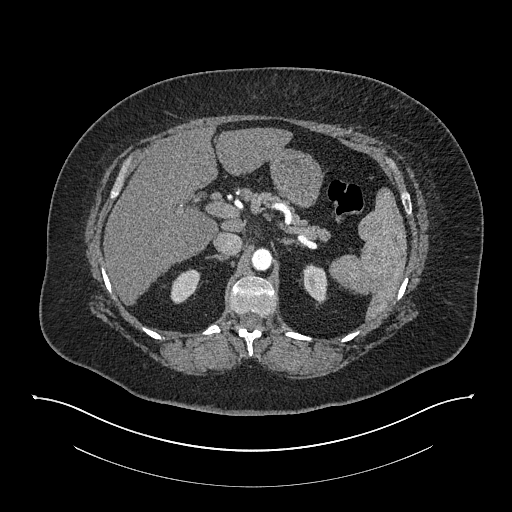
Axial slice 565 of 673 of a contrast-enhanced abdominal CT in the arterial phase (slice 1 is the lowest), 140 kVp, kernel I30f; 1.00 mm slice thickness and 0.957 mm pixels.
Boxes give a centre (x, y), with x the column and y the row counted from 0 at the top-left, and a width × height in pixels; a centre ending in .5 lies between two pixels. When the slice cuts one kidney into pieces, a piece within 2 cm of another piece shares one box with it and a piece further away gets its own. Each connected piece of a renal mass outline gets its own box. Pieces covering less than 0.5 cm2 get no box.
Two kidney boxes on this slice; by box centre, from the image's left to its right: (1) Right kidney in a box with centre (184.5, 285.5), 30 × 36 pixels (outlined area 727 px, about 6.7 cm2). (2) Left kidney in a box with centre (313.5, 284.5), 28 × 44 pixels (outlined area 775 px, about 7.1 cm2). No renal mass is outlined on this slice.